One axial slice (195 of 1059, counting up from the lowest) of an arterial-phase abdominal CT acquired with 100 kVp, kernel I30f; each pixel is 0.811 mm and the slice is 1.00 mm thick.
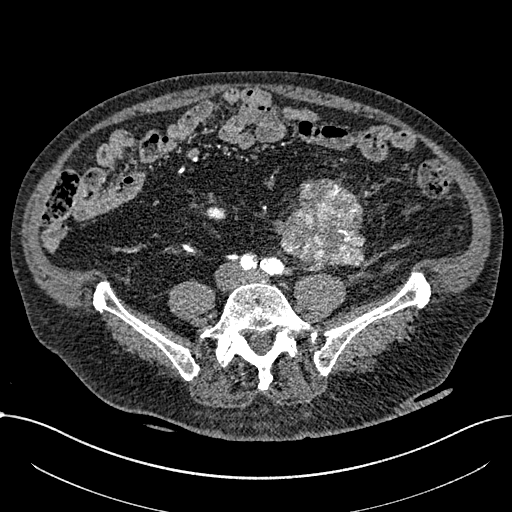
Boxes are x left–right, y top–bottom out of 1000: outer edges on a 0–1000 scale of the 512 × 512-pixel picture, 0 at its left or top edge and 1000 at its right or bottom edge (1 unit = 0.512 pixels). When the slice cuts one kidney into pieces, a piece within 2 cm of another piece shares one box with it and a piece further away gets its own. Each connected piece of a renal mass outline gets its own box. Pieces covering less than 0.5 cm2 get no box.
One kidney box and one renal mass box on this slice; by box centre, from the image's left to its right: (1) Right part of the midline-crossing kidney, box x 402–443, y 402–432 out of 1000 (outlined area 233 px, about 1.5 cm2). (2) Renal mass, box x 533–715, y 350–521 out of 1000 (outlined area 5,870 px, about 38.6 cm2); on this slice it lies more than 1 cm from any kidney outline, but the same outlined renal mass comes within 1 cm of the kidney on another slice.